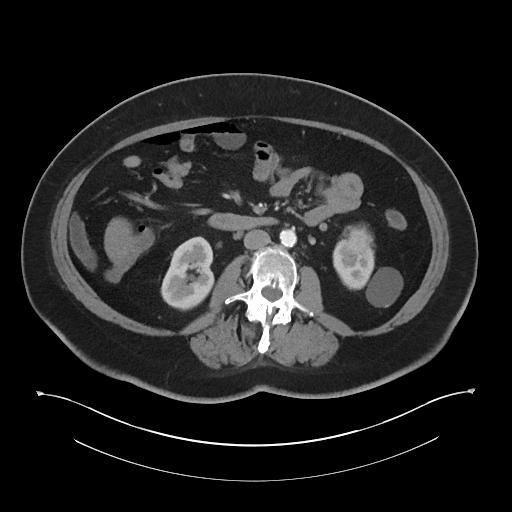
One axial slice (17 of 60, counting up from the lowest) of a contrast-enhanced abdominal CT acquired with 120 kVp, kernel I30f; each pixel is 0.971 mm and the slice is 5.00 mm thick.
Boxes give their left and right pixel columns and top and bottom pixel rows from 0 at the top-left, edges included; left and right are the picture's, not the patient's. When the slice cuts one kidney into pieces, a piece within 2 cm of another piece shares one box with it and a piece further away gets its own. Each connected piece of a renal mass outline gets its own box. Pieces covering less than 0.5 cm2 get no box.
Three boxes on this slice (two kidney boxes and one renal mass box), listed by box centre from the image's left to its right. (1) Right kidney, the box with left 160, top 236, right 214, bottom 310 (outlined area 2,982 px, about 28.1 cm2). (2) Left renal mass, the box with left 341, top 224, right 374, bottom 255 (outlined area 757 px, about 7.1 cm2). (3) Left kidney, the box with left 332, top 237, right 402, bottom 307 (outlined area 2,521 px, about 23.8 cm2).